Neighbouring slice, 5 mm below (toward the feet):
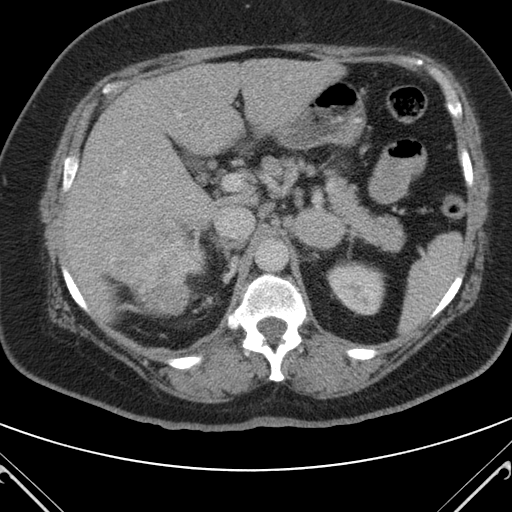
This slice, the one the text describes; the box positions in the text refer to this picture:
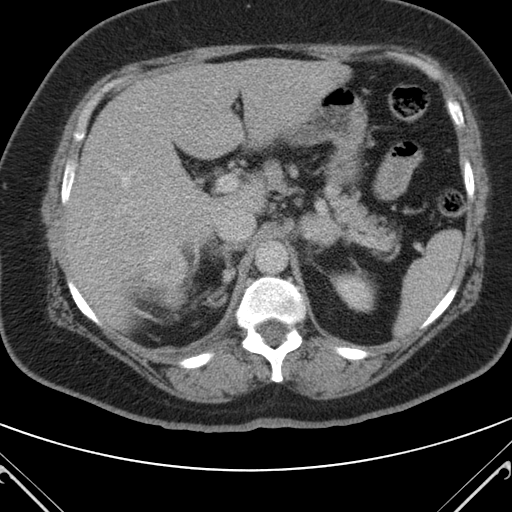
Axial slice 75 of 98 of a contrast-enhanced abdominal CT in the arterial phase (slice 1 is the lowest), 120 kVp, kernel B; 5.00 mm slice thickness and 0.703 mm pixels.
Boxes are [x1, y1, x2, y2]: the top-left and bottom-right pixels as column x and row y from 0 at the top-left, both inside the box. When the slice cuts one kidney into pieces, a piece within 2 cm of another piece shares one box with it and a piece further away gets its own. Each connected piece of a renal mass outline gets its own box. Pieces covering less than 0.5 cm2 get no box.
Two boxes on this slice (one kidney box and one renal mass box), listed by box centre from the image's left to its right. (1) Right renal mass at [113, 241, 193, 312] (outlined area 4,033 px, about 19.9 cm2); here it is more than 1 cm from any kidney outline, though on another slice the same outlined renal mass lies within 1 cm of the kidney. (2) Left kidney at [329, 271, 375, 312] (outlined area 1,410 px, about 7.0 cm2). This slice lies near the end of the right renal mass toward the head; the slice 5 mm below it is shown too, and the boxes mark positions on this slice only.